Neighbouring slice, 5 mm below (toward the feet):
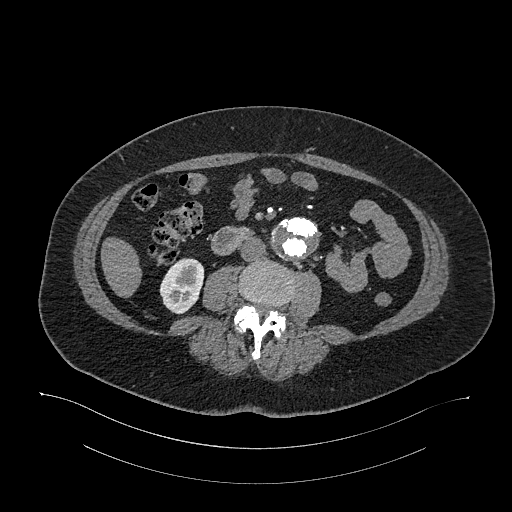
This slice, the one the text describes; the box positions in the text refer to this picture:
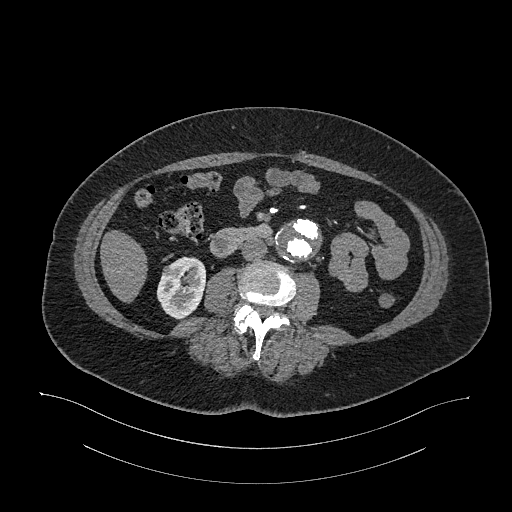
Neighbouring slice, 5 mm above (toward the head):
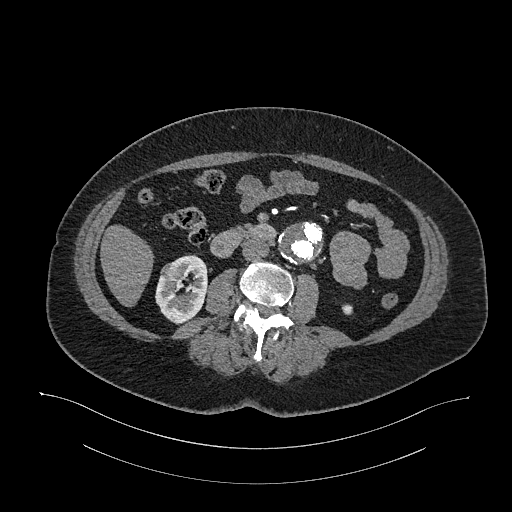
Arterial-phase contrast-enhanced abdominal CT, axial slice 566 of 987 (counted from the lowest slice); tube voltage 120 kVp, convolution kernel I26f; slices 1.00 mm thick, 0.977 mm per pixel.
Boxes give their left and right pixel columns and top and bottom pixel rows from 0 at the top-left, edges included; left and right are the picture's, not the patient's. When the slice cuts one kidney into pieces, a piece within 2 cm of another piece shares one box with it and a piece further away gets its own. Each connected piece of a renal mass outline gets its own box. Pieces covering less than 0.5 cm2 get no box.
One kidney box and one renal mass box on this slice; by box centre, from the image's left to its right: (1) Right renal mass, the box with left 162, top 265, right 175, bottom 275 (outlined area 108 px, about 1.0 cm2). (2) Box with left 156, top 256, right 205, bottom 319: right kidney (outlined area 2,244 px, about 21.4 cm2). This slice lies near the end of the right renal mass toward the feet; the slices 5 mm below and 5 mm above it are shown too, and the boxes mark positions on this slice only.